Abdominal CT with intravenous contrast, arterial phase, axial plane, 100 kVp, kernel I40f. Slice 9/32 from the bottom of the scan; thickness 5.00 mm; pixel size 0.779 mm.
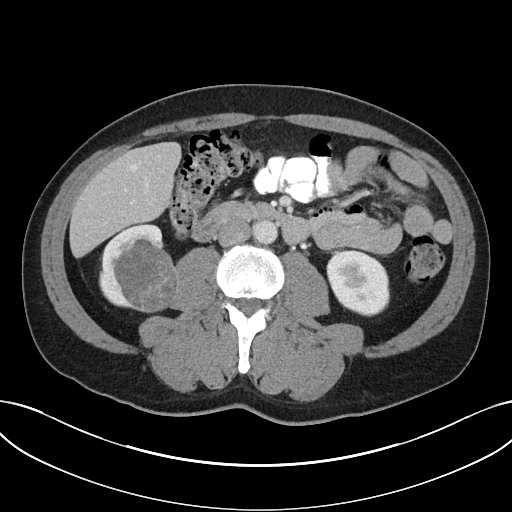
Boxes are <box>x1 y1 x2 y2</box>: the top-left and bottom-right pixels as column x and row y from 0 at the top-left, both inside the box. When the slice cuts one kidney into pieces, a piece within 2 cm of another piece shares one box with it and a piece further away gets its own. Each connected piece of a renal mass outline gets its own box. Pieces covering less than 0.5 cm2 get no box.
Three boxes on this slice (two kidney boxes and one renal mass box), listed by box centre from the image's left to its right. (1) Right kidney: <box>99 223 163 309</box> (outlined area 1,939 px, about 11.8 cm2). (2) At <box>113 239 178 312</box>: right renal mass (outlined area 3,594 px, about 21.8 cm2). (3) At <box>326 249 390 316</box>: left kidney (outlined area 3,313 px, about 20.1 cm2).